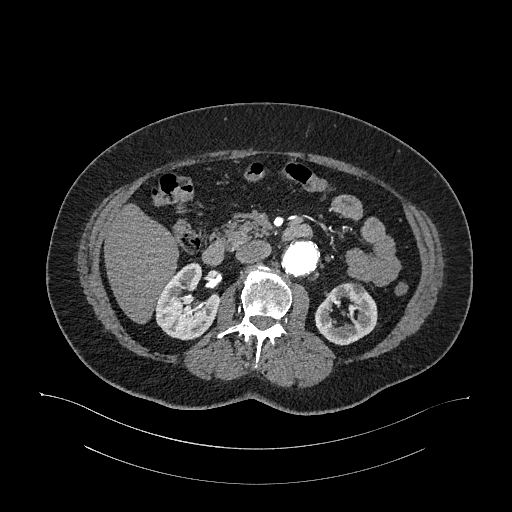
Axial slice 645 of 987 of a contrast-enhanced abdominal CT in the arterial phase (slice 1 is the lowest), 120 kVp, kernel I26f; 1.00 mm slice thickness and 0.977 mm pixels.
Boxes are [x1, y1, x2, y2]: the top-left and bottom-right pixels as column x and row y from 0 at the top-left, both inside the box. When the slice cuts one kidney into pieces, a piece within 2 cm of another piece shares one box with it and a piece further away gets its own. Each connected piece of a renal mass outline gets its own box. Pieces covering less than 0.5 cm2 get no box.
Two kidney boxes on this slice; by box centre, from the image's left to its right: (1) Right kidney, box [155, 262, 219, 340] (outlined area 3,372 px, about 32.2 cm2). (2) Left kidney at [315, 282, 377, 345] (outlined area 2,668 px, about 25.4 cm2). No renal mass is outlined on this slice.